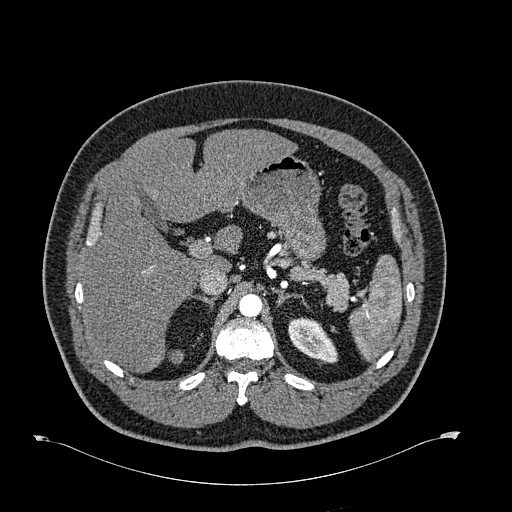
Abdominal CT with intravenous contrast, arterial phase, axial plane, 120 kVp, kernel B30f. Slice 478/723 from the bottom of the scan; thickness 1.00 mm; pixel size 0.895 mm.
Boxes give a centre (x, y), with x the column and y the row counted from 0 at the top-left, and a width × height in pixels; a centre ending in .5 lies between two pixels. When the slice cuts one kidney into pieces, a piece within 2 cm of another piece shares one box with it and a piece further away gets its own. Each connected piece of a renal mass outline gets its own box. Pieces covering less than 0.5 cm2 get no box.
Box centre (313, 340), 51 × 47 pixels: left kidney (outlined area 1,541 px, about 12.3 cm2). No renal mass outline on this slice.